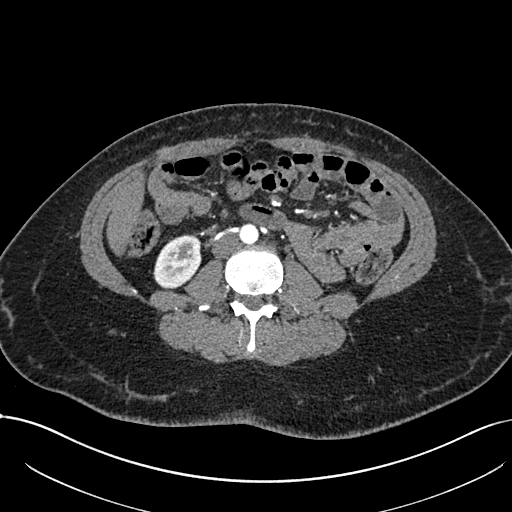
One axial slice (328 of 738, counting up from the lowest) of an arterial-phase abdominal CT acquired with 120 kVp, kernel I30f; each pixel is 0.789 mm and the slice is 1.00 mm thick.
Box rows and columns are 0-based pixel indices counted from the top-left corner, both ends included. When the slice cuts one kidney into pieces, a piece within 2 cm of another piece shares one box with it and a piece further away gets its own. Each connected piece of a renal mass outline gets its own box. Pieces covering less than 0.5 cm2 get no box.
Right kidney at rows 234–289, columns 153–201 (outlined area 1,999 px, about 12.4 cm2). No renal mass is outlined on this slice.